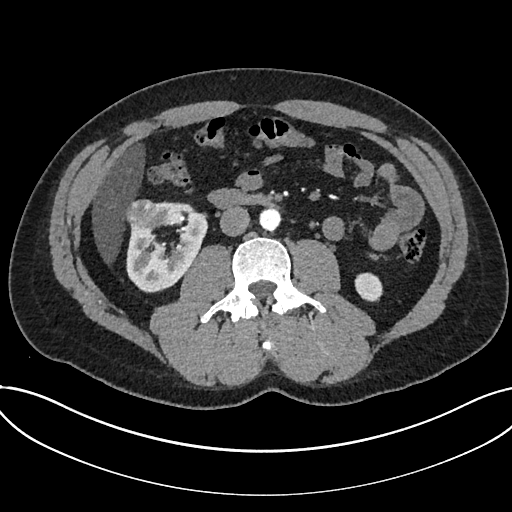
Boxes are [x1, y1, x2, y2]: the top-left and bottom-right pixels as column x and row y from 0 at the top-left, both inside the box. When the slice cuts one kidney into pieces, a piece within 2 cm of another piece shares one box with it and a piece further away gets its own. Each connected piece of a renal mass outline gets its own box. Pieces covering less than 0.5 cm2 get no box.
Arterial-phase contrast-enhanced abdominal CT, axial slice 360 of 735 (counted from the lowest slice); 1.00 mm thick, 0.789 mm per pixel. Boxed on this slice (two kidney boxes and one renal mass box), listed by box centre from the image's left to its right: (1) Renal mass at [124, 199, 160, 230] (outlined area 917 px, about 5.7 cm2). (2) Box [126, 201, 207, 292]: kidney (outlined area 4,689 px, about 29.2 cm2). (3) Kidney at [354, 272, 382, 301] (outlined area 670 px, about 4.2 cm2).
Acquired at 120 kVp and reconstructed with the I30f kernel.